Abdominal CT with intravenous contrast, arterial phase, axial plane, 120 kVp, kernel B30f. Slice 369/532 from the bottom of the scan; thickness 1.00 mm; pixel size 0.713 mm.
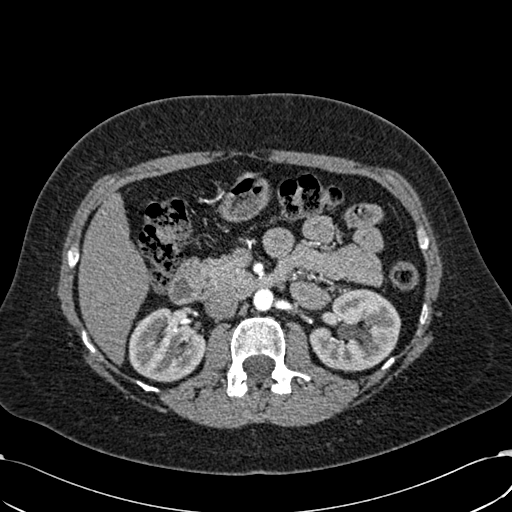
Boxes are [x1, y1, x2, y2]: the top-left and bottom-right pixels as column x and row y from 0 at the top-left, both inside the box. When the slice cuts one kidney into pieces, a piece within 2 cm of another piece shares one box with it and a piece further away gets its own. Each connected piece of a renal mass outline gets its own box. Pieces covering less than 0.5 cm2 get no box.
Two kidney boxes on this slice; by box centre, from the image's left to its right: (1) Box [128, 307, 204, 382]: right kidney (outlined area 4,286 px, about 21.8 cm2). (2) Left kidney, box [309, 289, 401, 371] (outlined area 5,498 px, about 27.9 cm2). No renal mass is outlined on this slice.